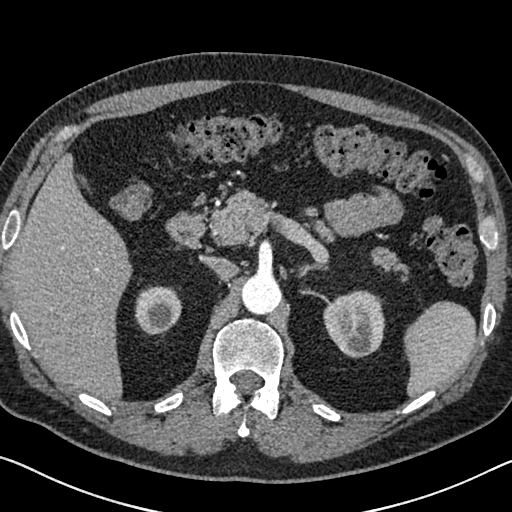
Axial slice 469 of 626 of a contrast-enhanced abdominal CT in the arterial phase (slice 1 is the lowest), 120 kVp, kernel I30f; 1.00 mm slice thickness and 0.703 mm pixels.
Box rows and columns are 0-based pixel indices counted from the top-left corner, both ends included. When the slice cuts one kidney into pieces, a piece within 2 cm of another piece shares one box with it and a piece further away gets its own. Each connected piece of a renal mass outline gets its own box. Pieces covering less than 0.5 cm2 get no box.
Two boxes on this slice (two kidney boxes), listed by box centre from the image's left to its right. (1) Right kidney, box rows 286–336, columns 135–182 (outlined area 1,851 px, about 9.2 cm2). (2) Left kidney at rows 290–358, columns 323–385 (outlined area 3,261 px, about 16.1 cm2). No renal mass outline on this slice.